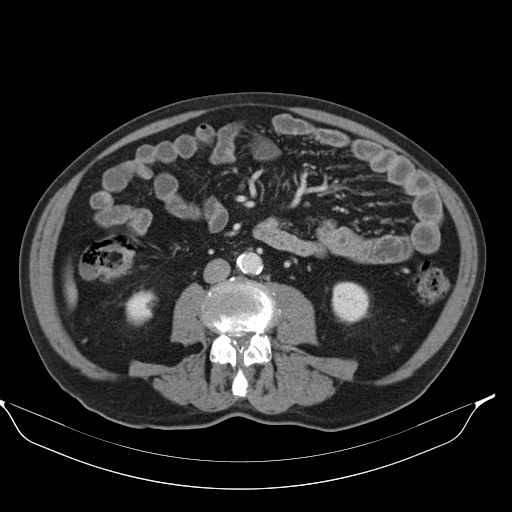
One axial slice (47 of 98, counting up from the lowest) of a contrast-enhanced abdominal CT acquired with 130 kVp, kernel B30s; each pixel is 0.840 mm and the slice is 5.00 mm thick.
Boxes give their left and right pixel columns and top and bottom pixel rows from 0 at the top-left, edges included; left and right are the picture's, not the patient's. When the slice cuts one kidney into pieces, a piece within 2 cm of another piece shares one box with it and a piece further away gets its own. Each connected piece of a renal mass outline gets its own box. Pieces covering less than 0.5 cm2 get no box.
Two kidney boxes on this slice; by box centre, from the image's left to its right: (1) Right kidney, the box with left 125, top 290, right 156, bottom 326 (outlined area 862 px, about 6.1 cm2). (2) Left kidney in the box with left 331, top 281, right 369, bottom 324 (outlined area 1,347 px, about 9.5 cm2). This slice carries no renal mass outline.